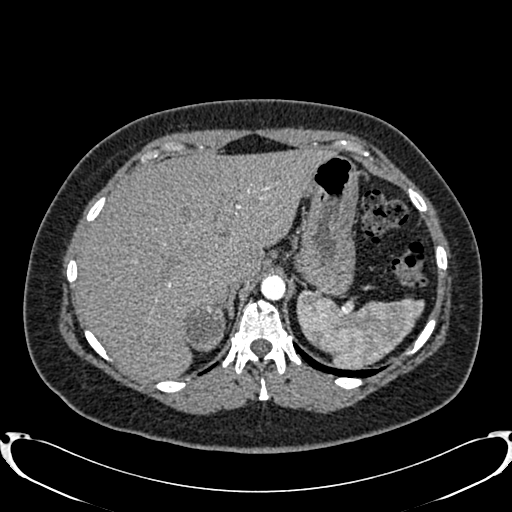
Abdominal CT with intravenous contrast, arterial phase, axial plane, 120 kVp, kernel B20f. Slice 632/719 from the bottom of the scan; thickness 1.00 mm; pixel size 0.766 mm.
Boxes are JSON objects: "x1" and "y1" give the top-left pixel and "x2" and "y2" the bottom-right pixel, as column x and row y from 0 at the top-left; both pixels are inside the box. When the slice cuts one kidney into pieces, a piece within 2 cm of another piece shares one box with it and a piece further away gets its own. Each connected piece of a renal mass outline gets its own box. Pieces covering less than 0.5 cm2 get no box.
Right renal mass, box {"x1": 183, "y1": 303, "x2": 225, "y2": 350} (outlined area 1,646 px, about 9.6 cm2); no kidney is outlined on this slice, but the same outlined renal mass comes within 1 cm of the kidney on another slice.